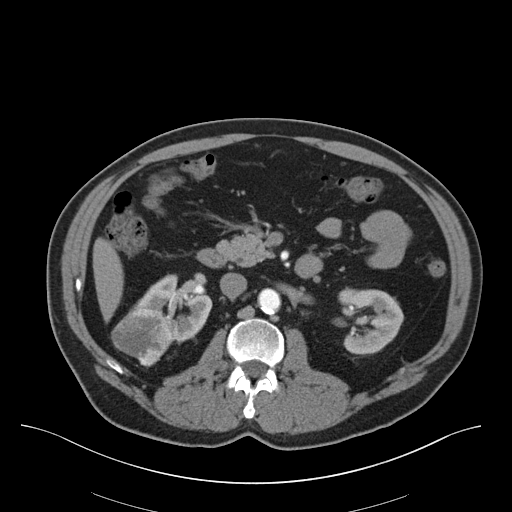
Abdominal CT with intravenous contrast, axial plane, 140 kVp, kernel B30f. Slice 32/75 from the bottom of the scan; thickness 3.00 mm; pixel size 0.875 mm.
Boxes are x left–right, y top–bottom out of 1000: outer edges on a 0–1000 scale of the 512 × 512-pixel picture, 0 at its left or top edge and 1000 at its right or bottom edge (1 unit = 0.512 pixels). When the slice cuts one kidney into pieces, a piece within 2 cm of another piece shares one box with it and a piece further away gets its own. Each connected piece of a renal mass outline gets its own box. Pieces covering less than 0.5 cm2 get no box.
Three boxes on this slice (two kidney boxes and one renal mass box), listed by box centre from the image's left to its right. (1) Right renal mass at x 217–338, y 602–719 out of 1000 (outlined area 2,516 px, about 19.3 cm2). (2) Right kidney at x 258–416, y 535–674 out of 1000 (outlined area 2,859 px, about 21.9 cm2). (3) Left kidney at x 660–789, y 561–695 out of 1000 (outlined area 3,284 px, about 25.1 cm2).